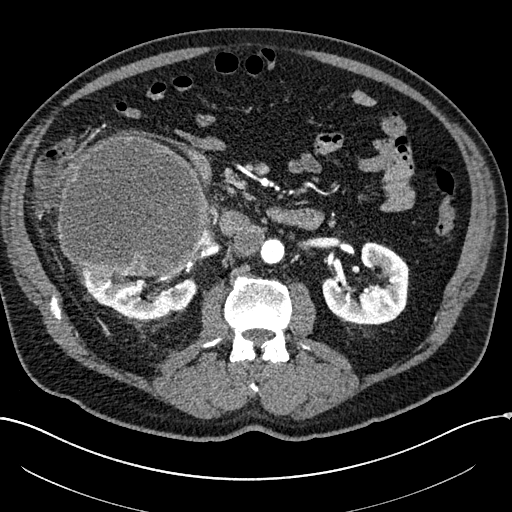
Arterial-phase contrast-enhanced abdominal CT, axial slice 110 of 304 (counted from the lowest slice); tube voltage 100 kVp, convolution kernel I30f; slices 2.00 mm thick, 0.809 mm per pixel.
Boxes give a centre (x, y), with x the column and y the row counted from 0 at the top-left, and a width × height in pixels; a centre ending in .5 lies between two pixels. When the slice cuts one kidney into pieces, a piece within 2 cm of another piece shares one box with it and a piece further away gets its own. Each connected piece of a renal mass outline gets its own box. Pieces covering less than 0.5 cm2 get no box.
Three boxes on this slice (two kidney boxes and one renal mass box), listed by box centre from the image's left to its right. (1) Box centre (131.5, 205), 152 × 143 pixels: right renal mass (outlined area 17,479 px, about 114.3 cm2). (2) Right kidney, box centre (136.5, 292.5), 124 × 56 pixels (outlined area 3,943 px, about 25.8 cm2). (3) Left kidney, box centre (365.5, 284), 88 × 87 pixels (outlined area 4,712 px, about 30.8 cm2).